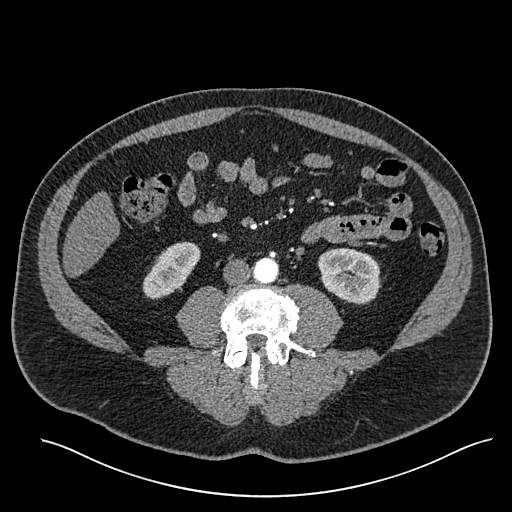
Arterial-phase contrast-enhanced abdominal CT, axial slice 216 of 527 (counted from the lowest slice); tube voltage 120 kVp, convolution kernel I30f; slices 1.00 mm thick, 0.859 mm per pixel.
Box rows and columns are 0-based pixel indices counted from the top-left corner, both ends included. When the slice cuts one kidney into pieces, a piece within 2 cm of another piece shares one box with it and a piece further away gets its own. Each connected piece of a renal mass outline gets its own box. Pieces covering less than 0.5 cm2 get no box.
Boxed on this slice (two kidney boxes), listed by box centre from the image's left to its right: (1) Box rows 241–298, columns 142–199: right kidney (outlined area 2,085 px, about 15.4 cm2). (2) Box rows 248–304, columns 317–381: left kidney (outlined area 2,814 px, about 20.8 cm2). This slice carries no renal mass outline.